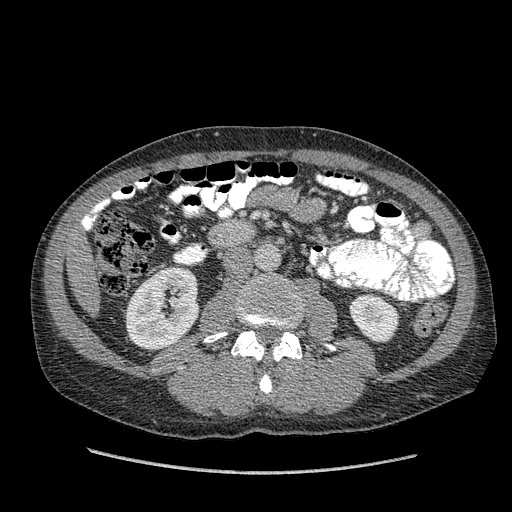
Abdominal CT with intravenous contrast, arterial phase, axial plane, 120 kVp, kernel STANDARD. Slice 180/349 from the bottom of the scan; thickness 1.25 mm; pixel size 0.742 mm.
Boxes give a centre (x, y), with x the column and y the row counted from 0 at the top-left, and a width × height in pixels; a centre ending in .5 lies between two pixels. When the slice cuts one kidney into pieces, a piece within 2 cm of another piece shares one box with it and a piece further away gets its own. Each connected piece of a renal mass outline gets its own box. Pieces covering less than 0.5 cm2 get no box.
Two boxes on this slice (two kidney boxes), listed by box centre from the image's left to its right. (1) Right kidney in a box with centre (163, 309.5), 75 × 84 pixels (outlined area 4,798 px, about 26.4 cm2). (2) Left kidney in a box with centre (374, 317), 51 × 51 pixels (outlined area 1,915 px, about 10.5 cm2). No renal mass is outlined on this slice.